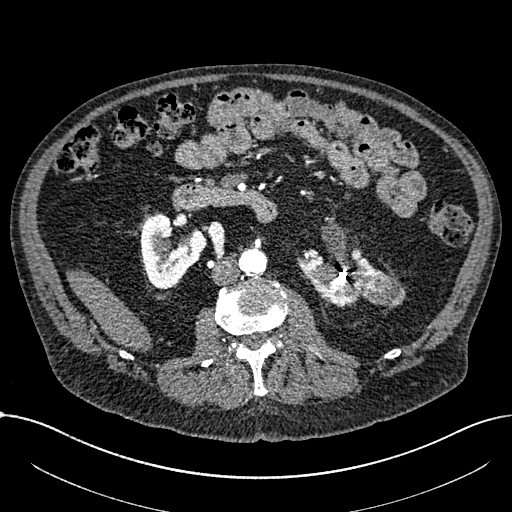
Arterial-phase contrast-enhanced abdominal CT, axial slice 367 of 1059 (counted from the lowest slice); tube voltage 100 kVp, convolution kernel I30f; slices 1.00 mm thick, 0.811 mm per pixel.
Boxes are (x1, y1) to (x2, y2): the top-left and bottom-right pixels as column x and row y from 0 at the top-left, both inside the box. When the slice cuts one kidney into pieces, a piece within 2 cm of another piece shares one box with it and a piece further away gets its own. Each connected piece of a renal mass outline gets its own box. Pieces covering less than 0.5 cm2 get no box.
Two kidney boxes and one renal mass box on this slice; by box centre, from the image's left to its right: (1) Box (141, 214) to (206, 289): right part of the midline-crossing kidney (outlined area 3,322 px, about 21.8 cm2). (2) Left part of the midline-crossing kidney, box (297, 248) to (384, 306) (outlined area 2,860 px, about 18.8 cm2). (3) Renal mass, box (358, 274) to (405, 306) (outlined area 1,224 px, about 8.0 cm2).